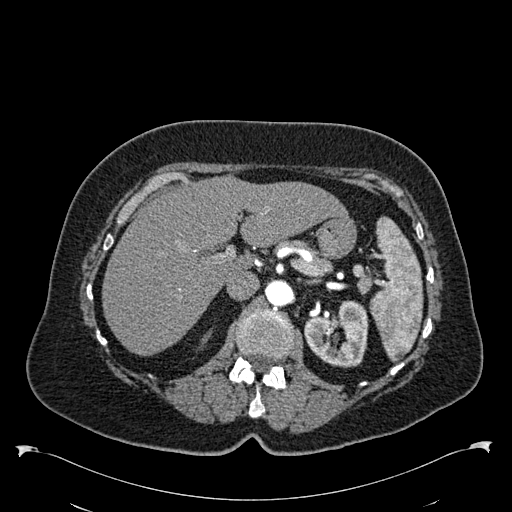
One axial slice (392 of 538, counting up from the lowest) of an arterial-phase abdominal CT acquired with 120 kVp, kernel B30f; each pixel is 0.811 mm and the slice is 1.00 mm thick.
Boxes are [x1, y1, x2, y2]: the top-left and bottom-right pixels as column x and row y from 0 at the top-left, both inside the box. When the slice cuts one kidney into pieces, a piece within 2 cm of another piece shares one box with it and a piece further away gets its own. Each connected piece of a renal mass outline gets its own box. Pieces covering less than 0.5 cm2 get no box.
Two kidney boxes on this slice; by box centre, from the image's left to its right: (1) Box [199, 330, 211, 348]: right kidney (outlined area 90 px, about 0.6 cm2). (2) Left kidney, box [304, 300, 368, 367] (outlined area 3,150 px, about 20.7 cm2). This slice carries no renal mass outline.